Axial slice 34 of 94 of a contrast-enhanced abdominal CT in the arterial phase (slice 1 is the lowest), 100 kVp, kernel I41f; 5.00 mm slice thickness and 0.551 mm pixels.
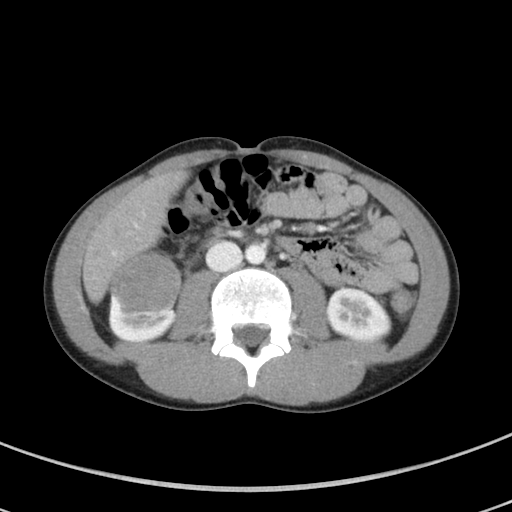
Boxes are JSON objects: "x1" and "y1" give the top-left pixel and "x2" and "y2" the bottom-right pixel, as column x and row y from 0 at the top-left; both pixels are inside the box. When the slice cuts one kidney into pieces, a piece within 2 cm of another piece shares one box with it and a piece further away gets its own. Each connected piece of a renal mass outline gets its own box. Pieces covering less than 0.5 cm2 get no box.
Three boxes on this slice (two kidney boxes and one renal mass box), listed by box centre from the image's left to its right. (1) Box {"x1": 108, "y1": 295, "x2": 178, "y2": 342}: right kidney (outlined area 1,915 px, about 5.8 cm2). (2) Box {"x1": 108, "y1": 251, "x2": 182, "y2": 311}: right renal mass (outlined area 3,654 px, about 11.1 cm2). (3) Left kidney at {"x1": 326, "y1": 286, "x2": 391, "y2": 341} (outlined area 2,740 px, about 8.3 cm2).